Axial slice 279 of 541 of a contrast-enhanced abdominal CT in the arterial phase (slice 1 is the lowest), 120 kVp, kernel I30f; 1.00 mm slice thickness and 0.834 mm pixels.
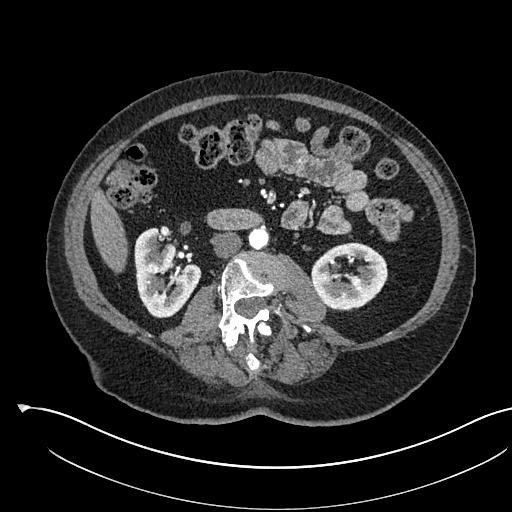
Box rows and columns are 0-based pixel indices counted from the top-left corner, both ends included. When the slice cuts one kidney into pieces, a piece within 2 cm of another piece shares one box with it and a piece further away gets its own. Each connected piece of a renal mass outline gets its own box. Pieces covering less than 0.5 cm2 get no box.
Two boxes on this slice (two kidney boxes), listed by box centre from the image's left to its right. (1) Right kidney, box rows 227–318, columns 134–201 (outlined area 4,163 px, about 29.0 cm2). (2) Box rows 242–310, columns 311–387: left kidney (outlined area 3,806 px, about 26.5 cm2). This slice carries no renal mass outline.